Abdominal CT with intravenous contrast, axial plane, 100 kVp, kernel I40f. Slice 25/101 from the bottom of the scan; thickness 5.00 mm; pixel size 0.684 mm.
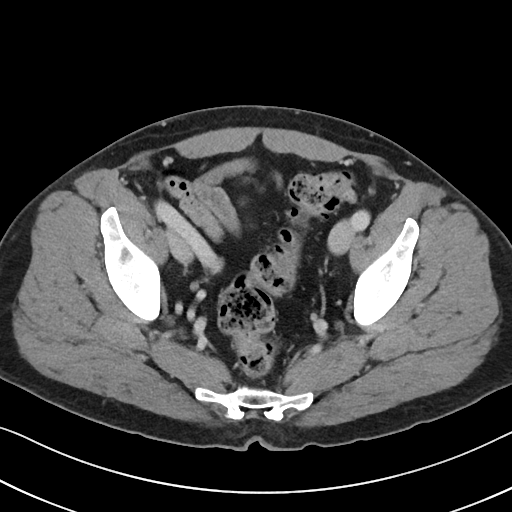
Neither a kidney nor a renal mass is outlined here. Only kidneys and renal masses are outlined anywhere in this scan; other structures are never outlined.